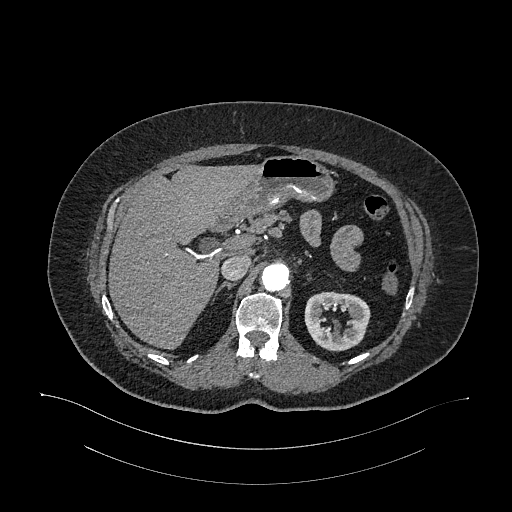
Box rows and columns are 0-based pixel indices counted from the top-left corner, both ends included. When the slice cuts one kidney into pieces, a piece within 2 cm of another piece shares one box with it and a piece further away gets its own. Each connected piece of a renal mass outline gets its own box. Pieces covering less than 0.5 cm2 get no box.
This is axial slice 742 of 987 (slice 1 is the lowest) of an arterial-phase abdominal CT with contrast; each pixel is 0.977 mm and the slice is 1.00 mm thick. Left kidney at rows 291–351, columns 304–370 (outlined area 2,886 px, about 27.5 cm2). No renal mass outline on this slice.
Scan settings: 120 kVp, I26f reconstruction kernel.